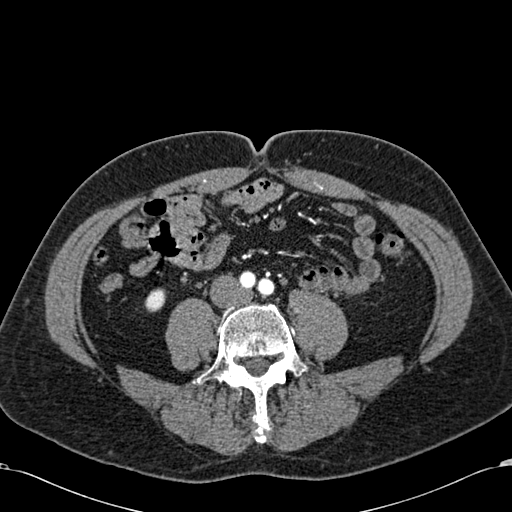
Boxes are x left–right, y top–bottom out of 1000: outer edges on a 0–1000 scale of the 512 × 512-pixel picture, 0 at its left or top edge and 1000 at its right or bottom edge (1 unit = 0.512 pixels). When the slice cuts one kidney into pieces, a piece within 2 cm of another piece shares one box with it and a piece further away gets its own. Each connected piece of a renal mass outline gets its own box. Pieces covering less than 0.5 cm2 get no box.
Arterial-phase contrast-enhanced abdominal CT, axial slice 197 of 581 (counted from the lowest slice); 1.00 mm thick, 0.713 mm per pixel. Right kidney at x 281–322, y 563–611 out of 1000 (outlined area 354 px, about 1.8 cm2). No renal mass is outlined on this slice.
Acquired at 120 kVp and reconstructed with the B30f kernel.